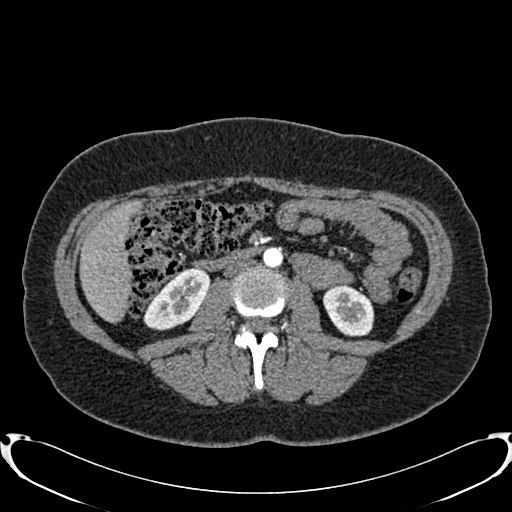
One axial slice (403 of 719, counting up from the lowest) of an arterial-phase abdominal CT acquired with 120 kVp, kernel B20f; each pixel is 0.766 mm and the slice is 1.00 mm thick.
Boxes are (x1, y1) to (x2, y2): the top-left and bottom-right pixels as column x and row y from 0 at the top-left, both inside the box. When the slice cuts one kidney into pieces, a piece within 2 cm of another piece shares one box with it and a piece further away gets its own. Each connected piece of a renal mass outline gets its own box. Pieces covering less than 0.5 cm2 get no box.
Boxed on this slice (two kidney boxes), listed by box centre from the image's left to its right: (1) Right kidney from (143, 267) to (210, 330) (outlined area 2,658 px, about 15.6 cm2). (2) Left kidney from (322, 285) to (374, 336) (outlined area 2,035 px, about 11.9 cm2). This slice carries no renal mass outline.